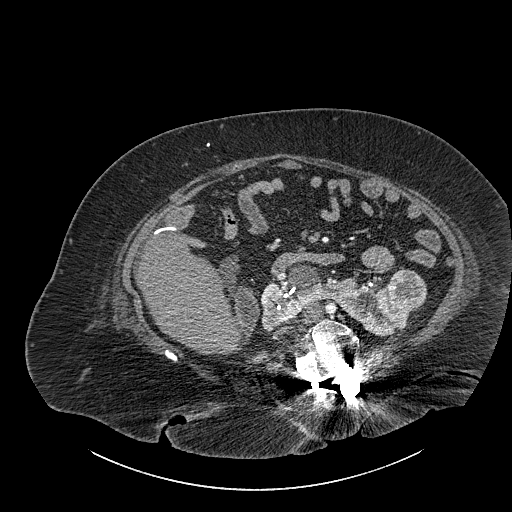
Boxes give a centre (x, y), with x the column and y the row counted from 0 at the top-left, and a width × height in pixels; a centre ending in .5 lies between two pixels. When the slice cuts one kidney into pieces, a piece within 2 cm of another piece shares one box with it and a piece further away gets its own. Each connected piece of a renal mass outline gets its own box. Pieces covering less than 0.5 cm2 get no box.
This is axial slice 500 of 834 (slice 1 is the lowest) of an abdominal CT with contrast; each pixel is 0.977 mm and the slice is 1.00 mm thick. Two boxes on this slice (one kidney box and one renal mass box), listed by box centre from the image's left to its right. (1) Kidney crossing the body midline in a box with centre (340, 299.5), 161 × 74 pixels (outlined area 5,514 px, about 52.6 cm2). (2) Renal mass in a box with centre (406.5, 288.5), 40 × 42 pixels (outlined area 1,352 px, about 12.9 cm2).
Scan settings: 140 kVp, I30f reconstruction kernel.